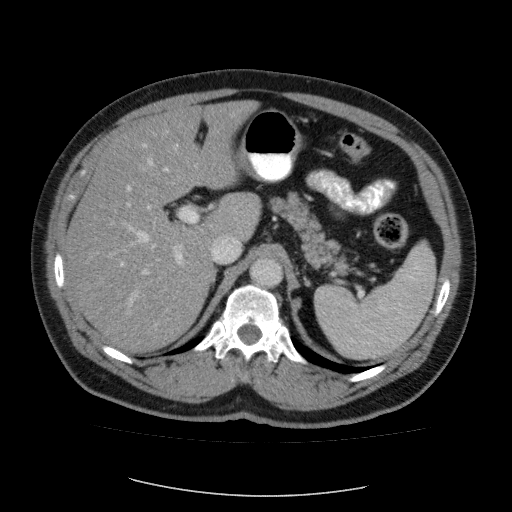
One axial slice (67 of 87, counting up from the lowest) of a contrast-enhanced abdominal CT acquired with 120 kVp, kernel FC12; each pixel is 0.812 mm and the slice is 5.00 mm thick.
This slice carries no outline: it lies beyond the outlined kidneys and beyond every outlined renal mass. Other organs are not outlined in this scan.